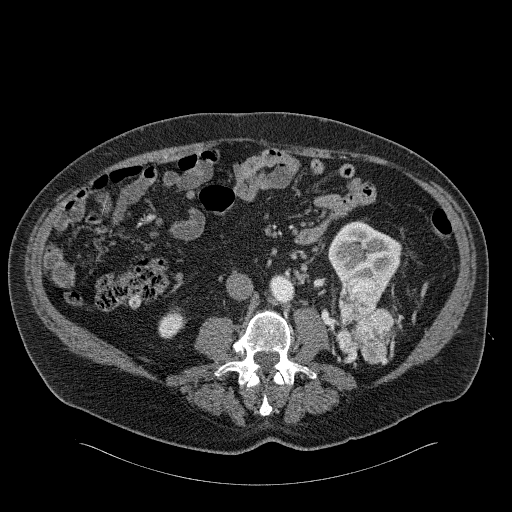
Abdominal CT with intravenous contrast, arterial phase, axial plane, 120 kVp, kernel B31f. Slice 80/326 from the bottom of the scan; thickness 2.00 mm; pixel size 0.963 mm.
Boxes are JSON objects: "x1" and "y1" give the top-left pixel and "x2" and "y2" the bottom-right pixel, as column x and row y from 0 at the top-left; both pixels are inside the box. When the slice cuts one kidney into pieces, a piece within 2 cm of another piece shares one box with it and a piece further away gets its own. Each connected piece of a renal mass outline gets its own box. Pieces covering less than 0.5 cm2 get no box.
Boxed on this slice (two kidney boxes and one renal mass box), listed by box centre from the image's left to its right: (1) Box {"x1": 158, "y1": 307, "x2": 186, "y2": 338}: right kidney (outlined area 588 px, about 5.5 cm2). (2) Left kidney at {"x1": 328, "y1": 221, "x2": 401, "y2": 292} (outlined area 3,465 px, about 32.1 cm2). (3) Left renal mass at {"x1": 336, "y1": 276, "x2": 394, "y2": 364} (outlined area 3,791 px, about 35.1 cm2).